One axial slice (375 of 553, counting up from the lowest) of an arterial-phase abdominal CT acquired with 120 kVp, kernel B20f; each pixel is 0.773 mm and the slice is 1.00 mm thick.
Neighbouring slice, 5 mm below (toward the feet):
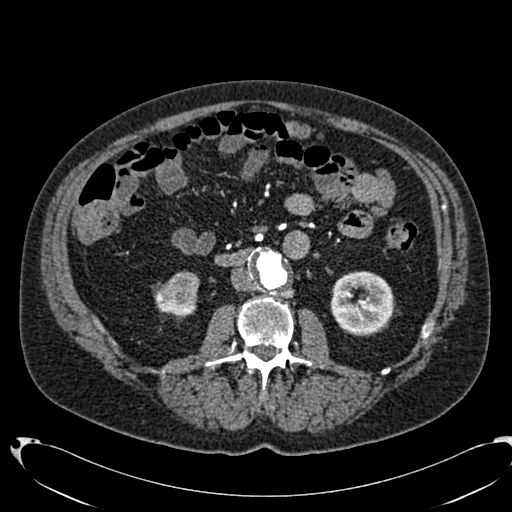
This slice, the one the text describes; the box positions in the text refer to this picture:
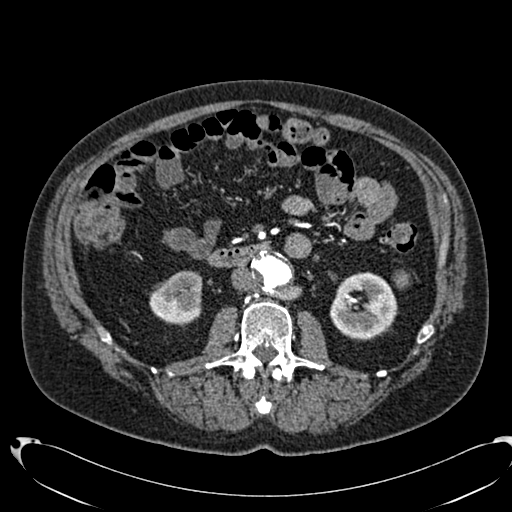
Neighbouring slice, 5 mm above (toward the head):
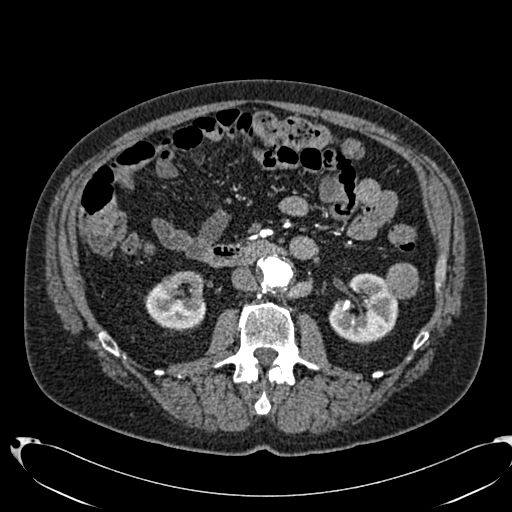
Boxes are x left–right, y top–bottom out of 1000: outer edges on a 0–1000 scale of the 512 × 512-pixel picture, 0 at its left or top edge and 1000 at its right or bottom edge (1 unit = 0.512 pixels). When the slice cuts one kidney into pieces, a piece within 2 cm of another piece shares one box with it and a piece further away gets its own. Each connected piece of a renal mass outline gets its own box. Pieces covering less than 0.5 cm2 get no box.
Three boxes on this slice (two kidney boxes and one renal mass box), listed by box centre from the image's left to its right. (1) Right kidney, box x 291–396, y 527–637 out of 1000 (outlined area 2,239 px, about 13.4 cm2). (2) Left kidney at x 643–777, y 531–666 out of 1000 (outlined area 3,436 px, about 20.6 cm2). (3) Left renal mass at x 768–801, y 525–566 out of 1000 (outlined area 243 px, about 1.5 cm2). This slice is near the end of the left renal mass toward the feet, so the slices 5 mm below and 5 mm above it are shown as well; the boxes refer to this slice only.